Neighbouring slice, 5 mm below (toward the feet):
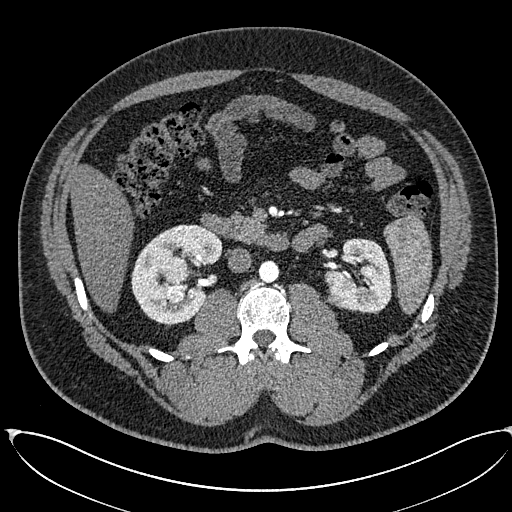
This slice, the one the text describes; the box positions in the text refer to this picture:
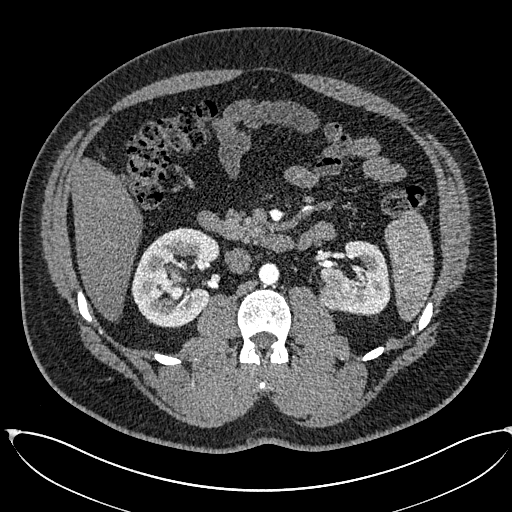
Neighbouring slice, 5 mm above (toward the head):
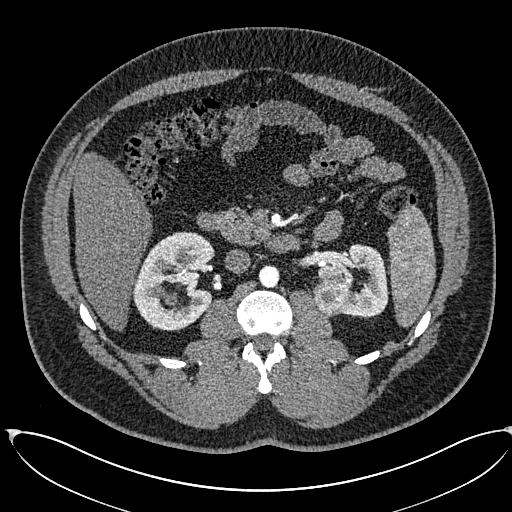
Axial slice 346 of 673 of a contrast-enhanced abdominal CT in the arterial phase (slice 1 is the lowest), 120 kVp, kernel I30f; 1.00 mm slice thickness and 0.855 mm pixels.
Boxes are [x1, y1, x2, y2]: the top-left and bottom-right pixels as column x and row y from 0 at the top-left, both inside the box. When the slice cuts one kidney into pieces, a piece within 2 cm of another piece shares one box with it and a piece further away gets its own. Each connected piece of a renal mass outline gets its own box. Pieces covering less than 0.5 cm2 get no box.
Boxed on this slice (two kidney boxes and three renal mass boxes), listed by box centre from the image's left to its right: (1) Box [131, 227, 220, 326]: right kidney (outlined area 5,921 px, about 43.3 cm2). (2) Right renal mass, box [170, 269, 183, 283] (outlined area 159 px, about 1.2 cm2). (3) Box [169, 287, 184, 299]: right renal mass (outlined area 164 px, about 1.2 cm2). (4) Left renal mass, box [317, 282, 349, 310] (outlined area 743 px, about 5.4 cm2). (5) Box [319, 240, 390, 315]: left kidney (outlined area 3,361 px, about 24.6 cm2). This slice lies near the end of the right renal mass toward the head; the slices 5 mm below and 5 mm above it are shown too, and the boxes mark positions on this slice only.